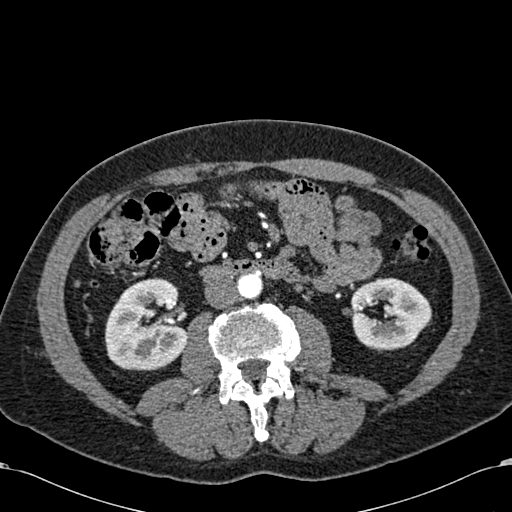
Abdominal CT with intravenous contrast, arterial phase, axial plane, 120 kVp, kernel B30f. Slice 292/581 from the bottom of the scan; thickness 1.00 mm; pixel size 0.713 mm.
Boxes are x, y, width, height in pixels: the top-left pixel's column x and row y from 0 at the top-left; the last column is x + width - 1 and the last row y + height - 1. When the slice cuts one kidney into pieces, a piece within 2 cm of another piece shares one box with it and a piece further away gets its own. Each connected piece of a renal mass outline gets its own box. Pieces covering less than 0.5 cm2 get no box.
Two kidney boxes on this slice; by box centre, from the image's left to its right: (1) Right kidney at x 105, y 277, width 83, height 93 (outlined area 5,915 px, about 30.1 cm2). (2) Left kidney at x 350, y 277, width 82, height 74 (outlined area 4,423 px, about 22.5 cm2). No renal mass outline on this slice.